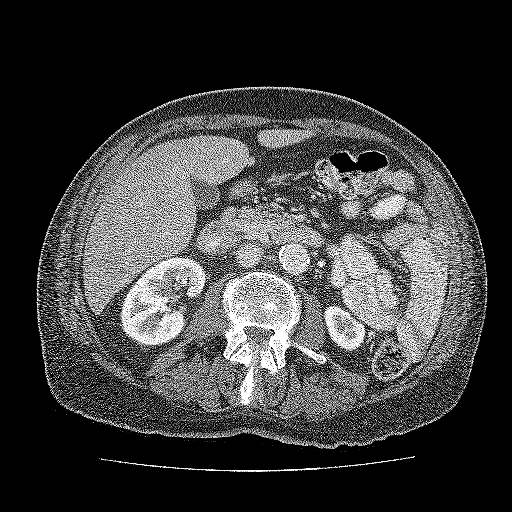
Contrast-enhanced abdominal CT, axial slice 89 of 137 (counted from the lowest slice); tube voltage 120 kVp, convolution kernel FC52; slices 3.00 mm thick, 0.741 mm per pixel.
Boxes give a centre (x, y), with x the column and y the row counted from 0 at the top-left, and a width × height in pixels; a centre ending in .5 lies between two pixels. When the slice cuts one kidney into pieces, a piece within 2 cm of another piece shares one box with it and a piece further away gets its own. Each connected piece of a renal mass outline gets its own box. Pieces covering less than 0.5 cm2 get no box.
Two boxes on this slice (two kidney boxes), listed by box centre from the image's left to its right. (1) Kidney, box centre (164, 302), 89 × 91 pixels (outlined area 5,357 px, about 29.4 cm2). (2) Kidney, box centre (345, 328), 43 × 47 pixels (outlined area 1,415 px, about 7.8 cm2). No renal mass is outlined on this slice.